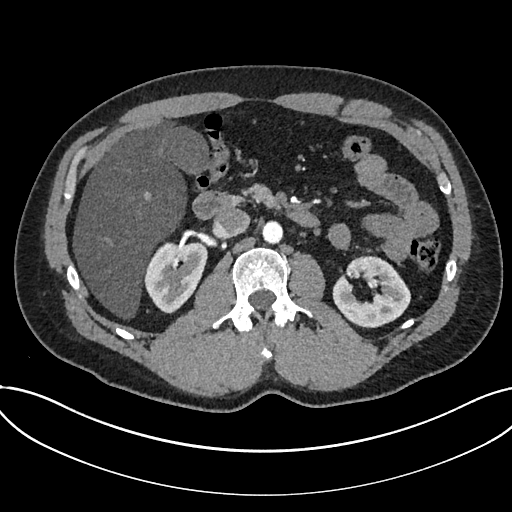
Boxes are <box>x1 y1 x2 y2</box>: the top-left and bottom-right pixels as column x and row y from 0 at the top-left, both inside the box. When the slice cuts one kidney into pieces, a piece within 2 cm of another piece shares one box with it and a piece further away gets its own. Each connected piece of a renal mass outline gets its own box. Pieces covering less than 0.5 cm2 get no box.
Arterial-phase contrast-enhanced abdominal CT, axial slice 427 of 735 (counted from the lowest slice); 1.00 mm thick, 0.789 mm per pixel. Two kidney boxes on this slice; by box centre, from the image's left to its right: (1) Kidney: <box>144 241 207 313</box> (outlined area 3,368 px, about 21.0 cm2). (2) Kidney: <box>332 255 410 328</box> (outlined area 3,847 px, about 24.0 cm2). No renal mass is outlined on this slice.
Scan settings: 120 kVp, I30f reconstruction kernel.